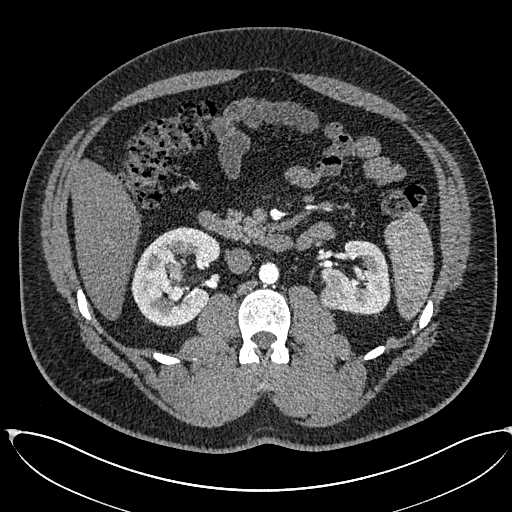
Abdominal CT with intravenous contrast, arterial phase, axial plane, 120 kVp, kernel I30f. Slice 344/673 from the bottom of the scan; thickness 1.00 mm; pixel size 0.855 mm.
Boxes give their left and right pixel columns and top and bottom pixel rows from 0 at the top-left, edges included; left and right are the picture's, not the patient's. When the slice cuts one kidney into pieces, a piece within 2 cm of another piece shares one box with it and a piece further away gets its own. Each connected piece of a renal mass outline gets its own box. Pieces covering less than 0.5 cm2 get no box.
Five boxes on this slice (two kidney boxes and three renal mass boxes), listed by box centre from the image's left to its right. (1) Right kidney in the box with left 131, top 226, right 220, bottom 326 (outlined area 5,889 px, about 43.1 cm2). (2) Box with left 168, top 265, right 185, bottom 283: right renal mass (outlined area 260 px, about 1.9 cm2). (3) Right renal mass, the box with left 168, top 285, right 186, bottom 300 (outlined area 226 px, about 1.7 cm2). (4) Left renal mass, the box with left 318, top 283, right 348, bottom 309 (outlined area 629 px, about 4.6 cm2). (5) Left kidney, the box with left 321, top 240, right 390, bottom 314 (outlined area 3,412 px, about 25.0 cm2).